Axial slice 307 of 512 of a contrast-enhanced abdominal CT in the arterial phase (slice 1 is the lowest), 120 kVp, kernel B30f; 1.00 mm slice thickness and 0.771 mm pixels.
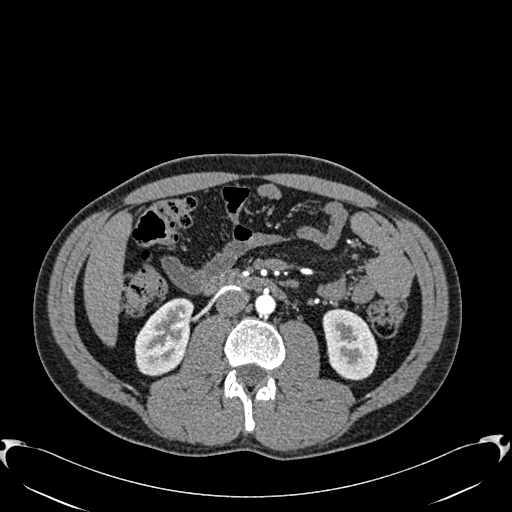
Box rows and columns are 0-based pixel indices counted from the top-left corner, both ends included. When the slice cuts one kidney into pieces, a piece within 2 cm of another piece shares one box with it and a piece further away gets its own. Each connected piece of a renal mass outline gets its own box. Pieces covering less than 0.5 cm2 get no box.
Boxed on this slice (two kidney boxes), listed by box centre from the image's left to its right: (1) Box rows 298–376, columns 134–193: right kidney (outlined area 3,291 px, about 19.6 cm2). (2) Left kidney, box rows 308–380, columns 322–378 (outlined area 3,074 px, about 18.3 cm2). This slice carries no renal mass outline.